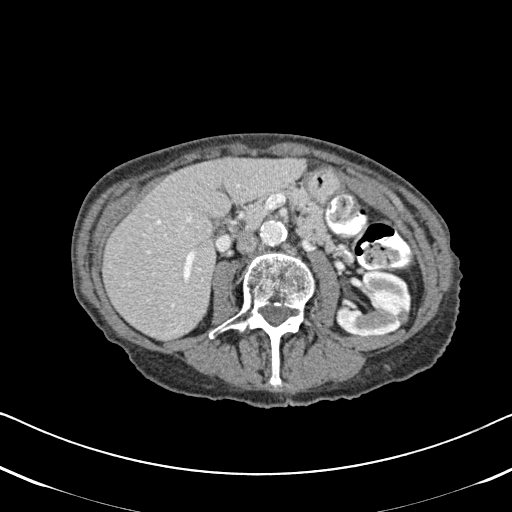
Axial slice 288 of 620 of a contrast-enhanced abdominal CT in the arterial phase (slice 1 is the lowest), 120 kVp, kernel B31f; 2.00 mm slice thickness and 0.637 mm pixels.
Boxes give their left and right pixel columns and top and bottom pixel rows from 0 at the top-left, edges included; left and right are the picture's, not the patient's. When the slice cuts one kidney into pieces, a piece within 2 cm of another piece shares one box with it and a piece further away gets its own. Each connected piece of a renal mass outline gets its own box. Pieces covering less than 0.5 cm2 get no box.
Left kidney in the box with left 335, top 271, right 410, bottom 337 (outlined area 3,713 px, about 15.1 cm2). No renal mass outline on this slice.